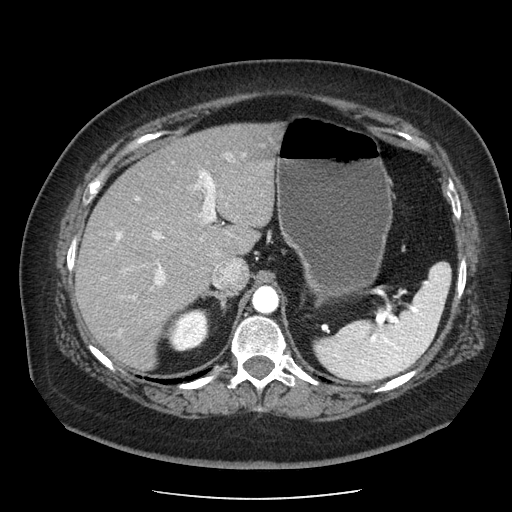
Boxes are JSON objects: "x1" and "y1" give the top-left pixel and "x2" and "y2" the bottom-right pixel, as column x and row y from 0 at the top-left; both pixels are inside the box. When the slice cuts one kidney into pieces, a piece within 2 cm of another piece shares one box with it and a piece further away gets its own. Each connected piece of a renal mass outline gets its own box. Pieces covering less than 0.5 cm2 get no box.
Slice 148/186 of a contrast-enhanced abdominal CT in the arterial phase, counting up from the lowest; pixel size 0.742 mm, slice thickness 2.50 mm. Box {"x1": 167, "y1": 308, "x2": 210, "y2": 351}: right kidney (outlined area 1,483 px, about 8.2 cm2). No renal mass is outlined on this slice.
Tube voltage 120 kVp; convolution kernel STANDARD.